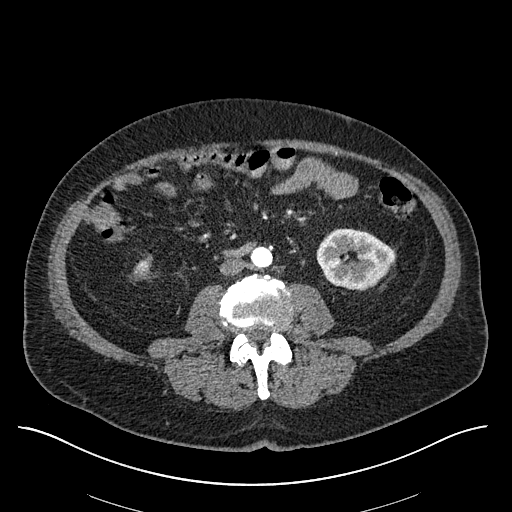
Abdominal CT with intravenous contrast, arterial phase, axial plane, 120 kVp, kernel I30f. Slice 245/670 from the bottom of the scan; thickness 1.00 mm; pixel size 0.861 mm.
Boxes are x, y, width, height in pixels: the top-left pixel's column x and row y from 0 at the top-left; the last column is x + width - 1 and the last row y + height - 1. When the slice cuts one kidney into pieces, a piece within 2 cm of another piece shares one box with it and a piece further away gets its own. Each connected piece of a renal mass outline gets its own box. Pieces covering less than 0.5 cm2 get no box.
Two kidney boxes on this slice; by box centre, from the image's left to its right: (1) Right kidney, box x 133, y 259, width 19, height 20 (outlined area 270 px, about 2.0 cm2). (2) Left kidney at x 316, y 228, width 79, height 62 (outlined area 3,608 px, about 26.8 cm2). No renal mass is outlined on this slice.